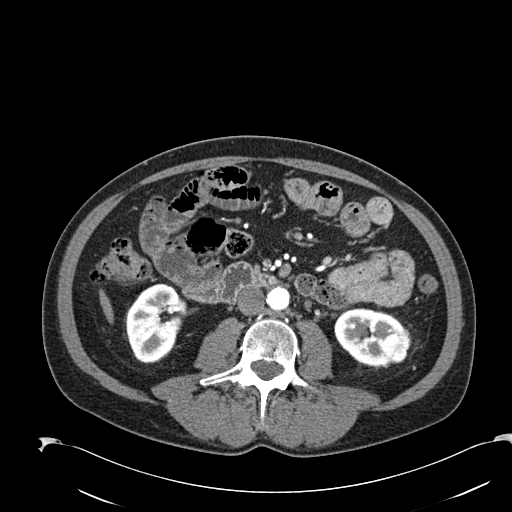
Arterial-phase contrast-enhanced abdominal CT, axial slice 84 of 274 (counted from the lowest slice); tube voltage 120 kVp, convolution kernel B30f; slices 2.00 mm thick, 0.809 mm per pixel.
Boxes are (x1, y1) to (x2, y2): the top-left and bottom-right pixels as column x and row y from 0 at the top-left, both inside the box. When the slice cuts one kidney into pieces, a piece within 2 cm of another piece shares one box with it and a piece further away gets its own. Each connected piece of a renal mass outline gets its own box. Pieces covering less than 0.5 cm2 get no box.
Boxed on this slice (two kidney boxes and one renal mass box), listed by box centre from the image's left to its right: (1) Right kidney, box (125, 283) to (186, 362) (outlined area 3,577 px, about 23.4 cm2). (2) Left kidney from (334, 308) to (405, 366) (outlined area 2,717 px, about 17.8 cm2). (3) Box (381, 330) to (411, 363): left renal mass (outlined area 746 px, about 4.9 cm2).